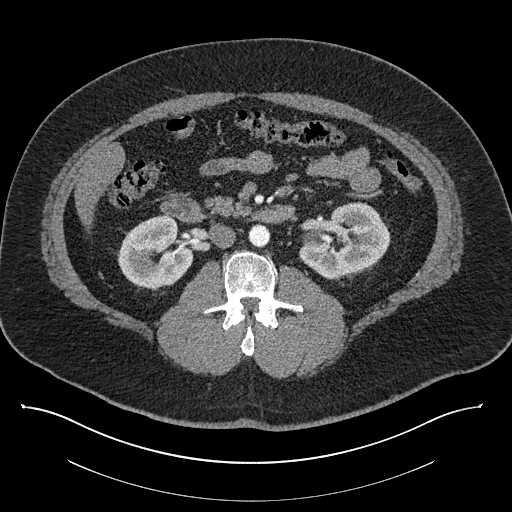
One axial slice (473 of 787, counting up from the lowest) of a contrast-enhanced abdominal CT acquired with 140 kVp, kernel I30f; each pixel is 0.910 mm and the slice is 1.00 mm thick.
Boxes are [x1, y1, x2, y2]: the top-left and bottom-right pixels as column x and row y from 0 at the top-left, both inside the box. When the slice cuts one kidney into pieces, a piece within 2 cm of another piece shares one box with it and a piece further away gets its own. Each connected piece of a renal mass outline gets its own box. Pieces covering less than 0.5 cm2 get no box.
Two boxes on this slice (two kidney boxes), listed by box centre from the image's left to its right. (1) Right kidney at [117, 215, 193, 289] (outlined area 4,141 px, about 34.3 cm2). (2) Box [299, 202, 390, 279]: left kidney (outlined area 5,007 px, about 41.5 cm2). This slice carries no renal mass outline.